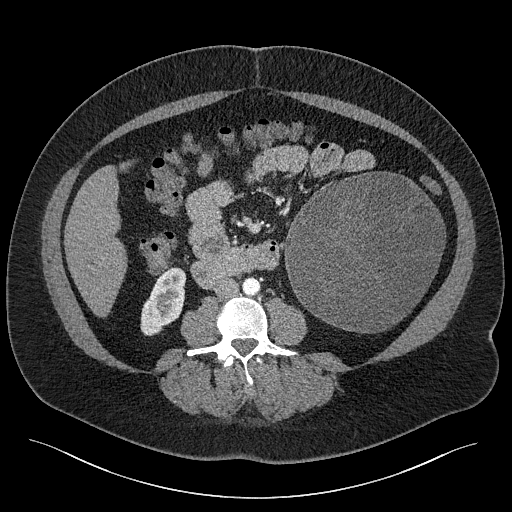
Abdominal CT with intravenous contrast, axial plane, 120 kVp, kernel I40f. Slice 95/301 from the bottom of the scan; thickness 2.00 mm; pixel size 0.859 mm.
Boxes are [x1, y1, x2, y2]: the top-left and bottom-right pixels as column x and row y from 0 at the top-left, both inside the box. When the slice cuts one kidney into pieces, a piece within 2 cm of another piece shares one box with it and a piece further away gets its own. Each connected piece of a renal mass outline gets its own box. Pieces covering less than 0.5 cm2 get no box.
One kidney box and one renal mass box on this slice; by box centre, from the image's left to its right: (1) Right kidney, box [140, 267, 186, 335] (outlined area 2,131 px, about 15.7 cm2). (2) Box [283, 171, 446, 333]: left renal mass (outlined area 19,935 px, about 147.2 cm2); it sits over 1 cm from every kidney outline on this slice, but the same outlined renal mass comes within 1 cm of the kidney on another slice.